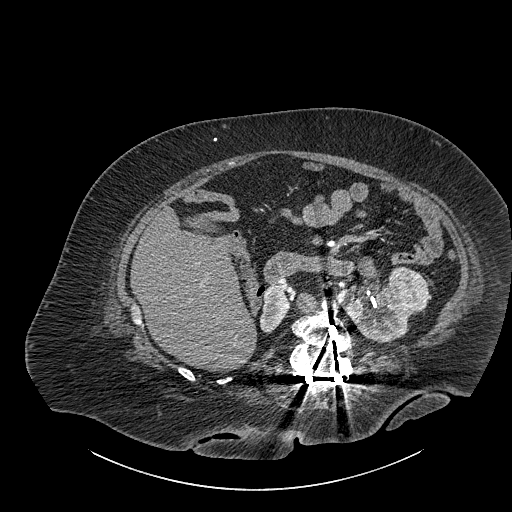
Contrast-enhanced abdominal CT, axial slice 539 of 834 (counted from the lowest slice); tube voltage 140 kVp, convolution kernel I30f; slices 1.00 mm thick, 0.977 mm per pixel.
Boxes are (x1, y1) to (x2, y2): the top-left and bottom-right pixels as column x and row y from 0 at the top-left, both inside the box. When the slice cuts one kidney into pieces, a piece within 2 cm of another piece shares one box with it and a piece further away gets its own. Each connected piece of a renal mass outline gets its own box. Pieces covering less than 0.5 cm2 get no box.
Boxed on this slice (two kidney boxes and one renal mass box), listed by box centre from the image's left to its right: (1) Right part of the midline-crossing kidney, box (259, 285) to (289, 332) (outlined area 1,021 px, about 9.7 cm2). (2) Box (337, 283) to (413, 342): left part of the midline-crossing kidney (outlined area 2,721 px, about 25.9 cm2). (3) Renal mass, box (388, 266) to (428, 313) (outlined area 1,473 px, about 14.0 cm2).